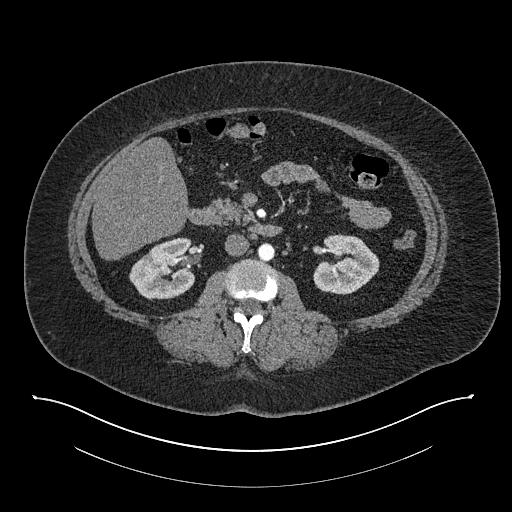
Abdominal CT with intravenous contrast, arterial phase, axial plane, 140 kVp, kernel I30f. Slice 436/673 from the bottom of the scan; thickness 1.00 mm; pixel size 0.957 mm.
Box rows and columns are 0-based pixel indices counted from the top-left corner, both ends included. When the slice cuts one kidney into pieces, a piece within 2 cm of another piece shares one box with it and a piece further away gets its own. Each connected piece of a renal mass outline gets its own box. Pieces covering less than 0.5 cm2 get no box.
Boxed on this slice (two kidney boxes), listed by box centre from the image's left to its right: (1) Right kidney at rows 237–299, columns 129–195 (outlined area 3,082 px, about 28.2 cm2). (2) Left kidney, box rows 234–294, columns 312–379 (outlined area 2,955 px, about 27.1 cm2). No renal mass outline on this slice.